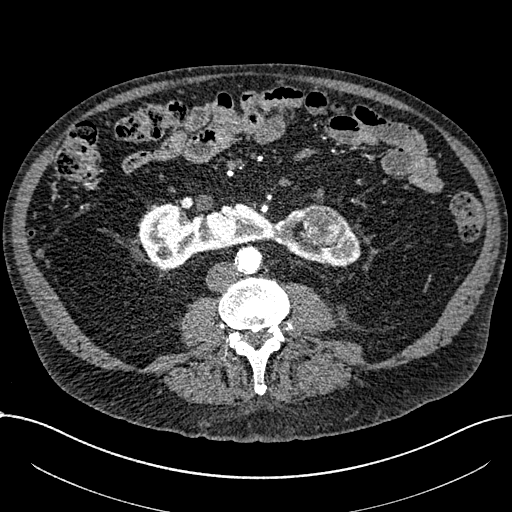
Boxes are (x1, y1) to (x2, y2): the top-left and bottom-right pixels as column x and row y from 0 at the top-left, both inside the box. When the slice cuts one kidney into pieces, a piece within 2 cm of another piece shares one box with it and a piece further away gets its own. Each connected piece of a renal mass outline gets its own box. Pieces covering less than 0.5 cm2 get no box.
This is axial slice 300 of 1059 (slice 1 is the lowest) of an arterial-phase abdominal CT with contrast; each pixel is 0.811 mm and the slice is 1.00 mm thick. Boxed on this slice (one kidney box and one renal mass box), listed by box centre from the image's left to its right: (1) Box (139, 203) to (361, 269): kidney crossing the body midline (outlined area 8,508 px, about 55.9 cm2). (2) Renal mass from (302, 204) to (347, 246) (outlined area 1,418 px, about 9.3 cm2).
Acquired at 100 kVp and reconstructed with the I30f kernel.